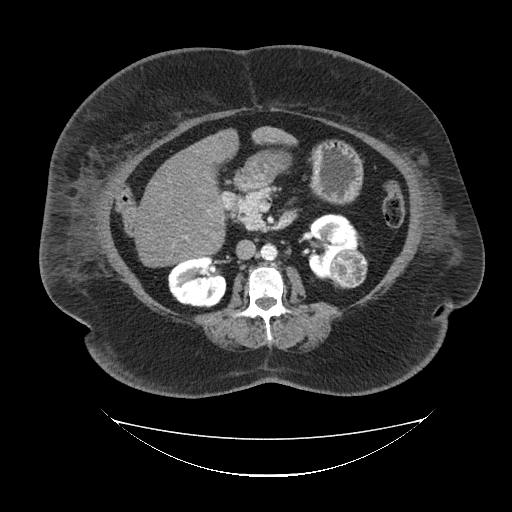
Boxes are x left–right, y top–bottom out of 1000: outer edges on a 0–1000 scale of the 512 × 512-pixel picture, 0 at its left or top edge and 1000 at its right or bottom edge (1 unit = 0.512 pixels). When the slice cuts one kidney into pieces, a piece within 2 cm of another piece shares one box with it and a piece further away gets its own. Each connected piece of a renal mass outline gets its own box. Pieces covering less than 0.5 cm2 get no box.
This is axial slice 57 of 85 (slice 1 is the lowest) of an arterial-phase abdominal CT with contrast; each pixel is 1.041 mm and the slice is 5.00 mm thick. Two kidney boxes and one renal mass box on this slice; by box centre, from the image's left to its right: (1) Right kidney, box x 326–441, y 502–602 out of 1000 (outlined area 2,351 px, about 25.5 cm2). (2) Left kidney at x 600–699, y 416–547 out of 1000 (outlined area 2,205 px, about 23.9 cm2). (3) Box x 645–719, y 488–564 out of 1000: left renal mass (outlined area 1,200 px, about 13.0 cm2).
Acquired at 120 kVp and reconstructed with the FC19 kernel.